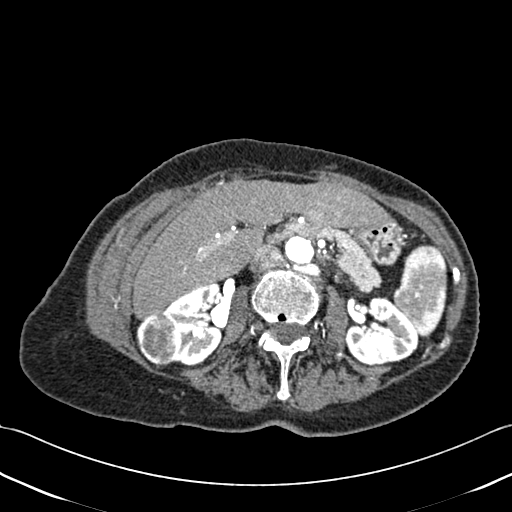
One axial slice (243 of 433, counting up from the lowest) of a contrast-enhanced abdominal CT acquired with 120 kVp, kernel B30f; each pixel is 0.672 mm and the slice is 1.00 mm thick.
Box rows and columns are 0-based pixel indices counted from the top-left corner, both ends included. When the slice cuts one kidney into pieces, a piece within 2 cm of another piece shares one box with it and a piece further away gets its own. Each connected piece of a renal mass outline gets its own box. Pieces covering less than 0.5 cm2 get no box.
Two kidney boxes and one renal mass box on this slice; by box centre, from the image's left to its right: (1) Box rows 311–367, columns 136–179: right renal mass (outlined area 1,861 px, about 8.4 cm2). (2) Right kidney at rows 283–366, columns 162–224 (outlined area 3,397 px, about 15.3 cm2). (3) Left kidney at rows 296–366, columns 345–418 (outlined area 3,675 px, about 16.6 cm2).